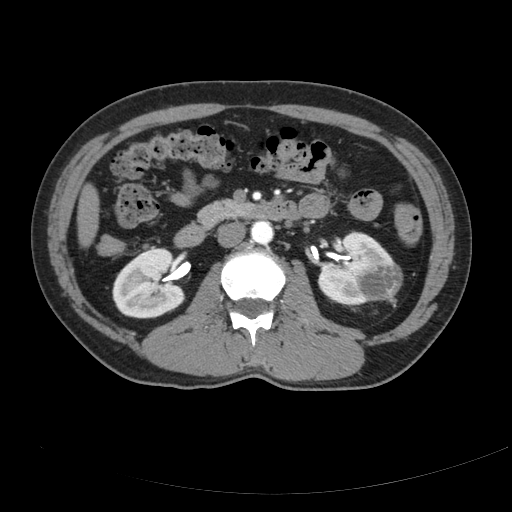
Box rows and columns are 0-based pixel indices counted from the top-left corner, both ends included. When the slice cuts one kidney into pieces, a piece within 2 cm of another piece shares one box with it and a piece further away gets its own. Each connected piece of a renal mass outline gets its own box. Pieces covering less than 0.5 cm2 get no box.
Slice 106/178 of a contrast-enhanced abdominal CT, counting up from the lowest; pixel size 0.818 mm, slice thickness 3.00 mm. Three boxes on this slice (two kidney boxes and one renal mass box), listed by box centre from the image's left to its right. (1) Right kidney at rows 247–318, columns 112–185 (outlined area 3,934 px, about 26.3 cm2). (2) Box rows 231–306, columns 317–394: left kidney (outlined area 3,139 px, about 21.0 cm2). (3) Left renal mass at rows 262–301, columns 357–402 (outlined area 1,425 px, about 9.5 cm2).
Scan settings: 120 kVp, B reconstruction kernel.